Abdominal CT with intravenous contrast, arterial phase, axial plane, 100 kVp, kernel I40f. Slice 14/97 from the bottom of the scan; thickness 3.00 mm; pixel size 0.797 mm.
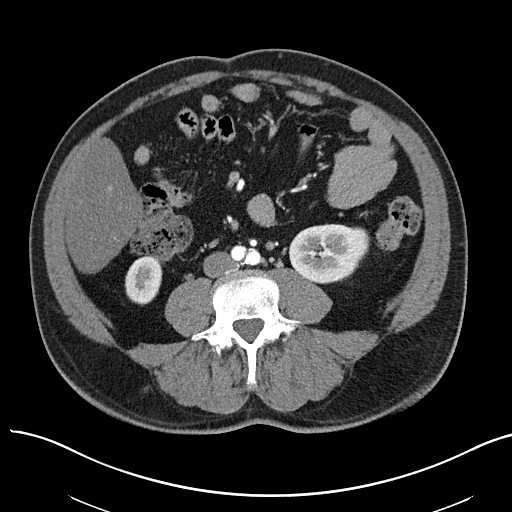
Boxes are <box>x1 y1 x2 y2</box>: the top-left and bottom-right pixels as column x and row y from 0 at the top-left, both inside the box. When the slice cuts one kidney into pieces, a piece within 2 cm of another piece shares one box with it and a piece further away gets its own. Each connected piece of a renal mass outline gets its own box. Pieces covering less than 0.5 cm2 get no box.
Two kidney boxes on this slice; by box centre, from the image's left to its right: (1) At <box>125 256 162 305</box>: right kidney (outlined area 1,455 px, about 9.2 cm2). (2) Left kidney: <box>289 224 369 283</box> (outlined area 3,803 px, about 24.1 cm2). This slice carries no renal mass outline.